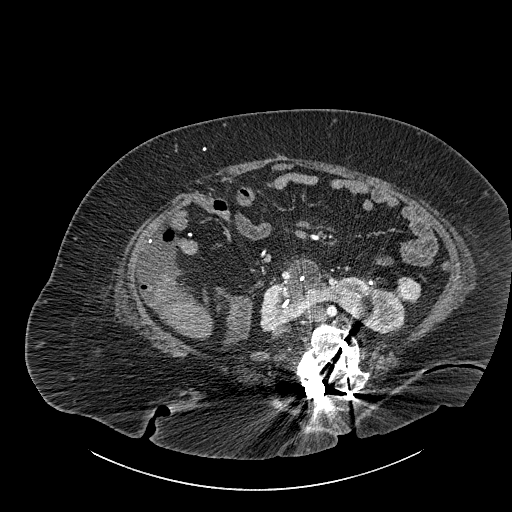
One axial slice (479 of 834, counting up from the lowest) of a contrast-enhanced abdominal CT acquired with 140 kVp, kernel I30f; each pixel is 0.977 mm and the slice is 1.00 mm thick.
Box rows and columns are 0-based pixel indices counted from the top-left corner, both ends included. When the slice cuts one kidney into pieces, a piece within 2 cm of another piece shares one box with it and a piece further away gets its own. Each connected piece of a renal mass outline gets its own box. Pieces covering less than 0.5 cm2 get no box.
Two boxes on this slice (one kidney box and one renal mass box), listed by box centre from the image's left to its right. (1) Kidney crossing the body midline at rows 257–333, columns 259–405 (outlined area 5,861 px, about 55.9 cm2). (2) Renal mass, box rows 277–303, columns 395–421 (outlined area 553 px, about 5.3 cm2).